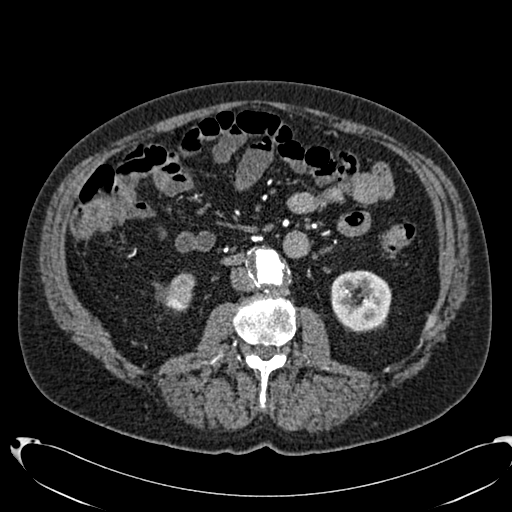
Axial slice 357 of 553 of a contrast-enhanced abdominal CT in the arterial phase (slice 1 is the lowest), 120 kVp, kernel B20f; 1.00 mm slice thickness and 0.773 mm pixels.
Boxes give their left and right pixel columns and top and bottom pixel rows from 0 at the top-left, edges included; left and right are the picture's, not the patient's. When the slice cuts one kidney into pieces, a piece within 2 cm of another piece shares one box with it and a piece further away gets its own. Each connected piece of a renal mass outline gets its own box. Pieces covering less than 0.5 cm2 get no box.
Two boxes on this slice (two kidney boxes), listed by box centre from the image's left to its right. (1) Right kidney, the box with left 164, top 272, right 195, bottom 312 (outlined area 915 px, about 5.5 cm2). (2) Box with left 331, top 270, right 391, bottom 330: left kidney (outlined area 2,942 px, about 17.6 cm2). No renal mass outline on this slice.